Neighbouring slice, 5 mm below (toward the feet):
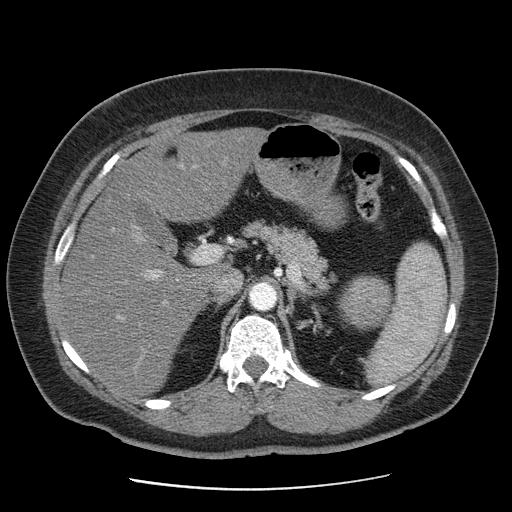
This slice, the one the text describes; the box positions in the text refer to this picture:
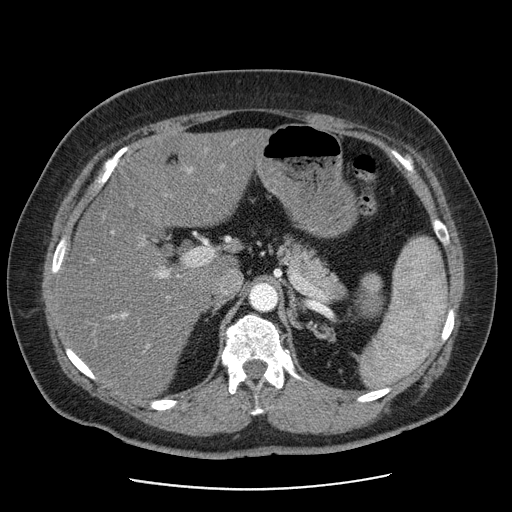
One axial slice (68 of 103, counting up from the lowest) of a contrast-enhanced abdominal CT acquired with 120 kVp, kernel STANDARD; each pixel is 0.736 mm and the slice is 2.50 mm thick.
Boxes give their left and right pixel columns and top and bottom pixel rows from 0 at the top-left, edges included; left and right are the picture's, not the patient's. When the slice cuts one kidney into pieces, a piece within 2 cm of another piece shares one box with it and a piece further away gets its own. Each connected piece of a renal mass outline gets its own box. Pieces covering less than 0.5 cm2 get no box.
Left renal mass, the box with left 355, top 291, right 383, bottom 319 (outlined area 621 px, about 3.4 cm2); no kidney outline appears on this slice, but the same outlined renal mass comes within 1 cm of the kidney on another slice. This slice lies near the end of the left renal mass toward the head; the slice 5 mm below it is shown too, and the boxes mark positions on this slice only.